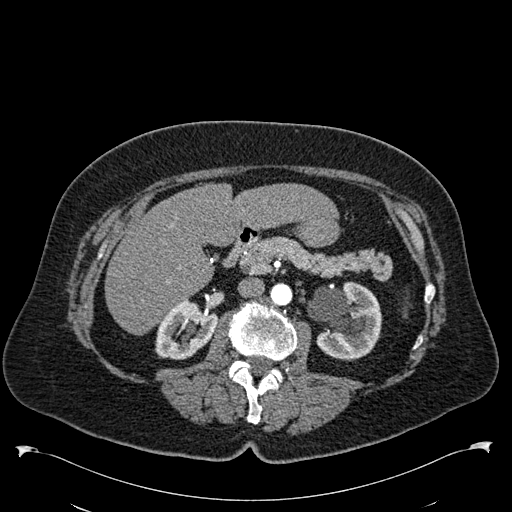
Abdominal CT with intravenous contrast, arterial phase, axial plane, 120 kVp, kernel B30f. Slice 333/538 from the bottom of the scan; thickness 1.00 mm; pixel size 0.811 mm.
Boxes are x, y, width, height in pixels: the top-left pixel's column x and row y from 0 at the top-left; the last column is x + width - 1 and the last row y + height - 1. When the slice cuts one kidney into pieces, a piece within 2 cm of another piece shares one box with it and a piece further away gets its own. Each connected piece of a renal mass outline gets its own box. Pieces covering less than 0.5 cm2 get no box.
Boxed on this slice (two kidney boxes), listed by box centre from the image's left to its right: (1) Right kidney, box x 155, y 301, width 63, height 59 (outlined area 2,520 px, about 16.6 cm2). (2) Left kidney, box x 307, y 281, width 76, height 80 (outlined area 4,384 px, about 28.8 cm2). No renal mass outline on this slice.